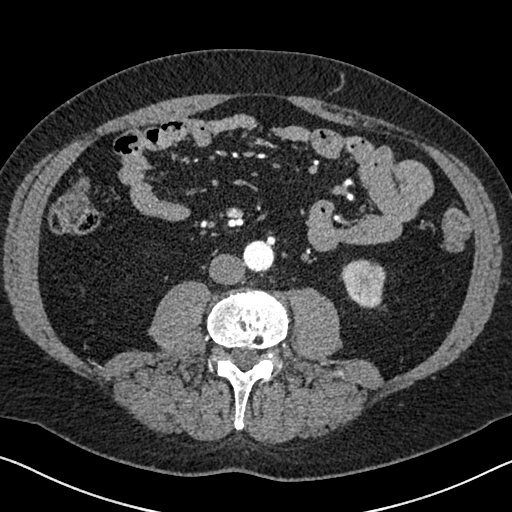
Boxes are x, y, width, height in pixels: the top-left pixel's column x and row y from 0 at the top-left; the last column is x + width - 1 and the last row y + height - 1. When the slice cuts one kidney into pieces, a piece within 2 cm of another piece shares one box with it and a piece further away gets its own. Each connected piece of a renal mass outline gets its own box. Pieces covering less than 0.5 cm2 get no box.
Arterial-phase contrast-enhanced abdominal CT, axial slice 289 of 626 (counted from the lowest slice); 1.00 mm thick, 0.703 mm per pixel. Left kidney, box x 341, y 259, width 45, height 50 (outlined area 1,704 px, about 8.4 cm2). This slice carries no renal mass outline.
Acquired at 120 kVp and reconstructed with the I30f kernel.